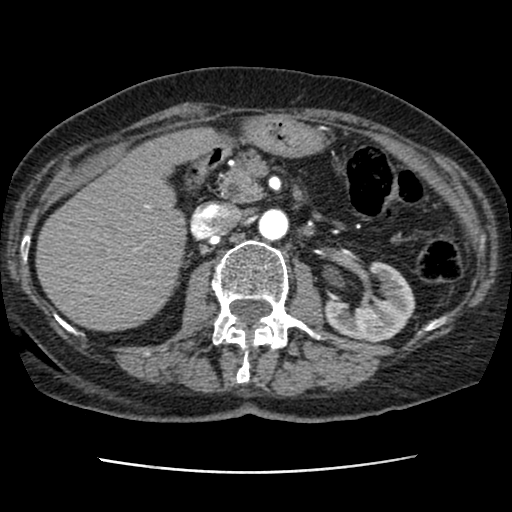
Contrast-enhanced abdominal CT, axial slice 49 of 76 (counted from the lowest slice); tube voltage 120 kVp, convolution kernel STANDARD; slices 2.50 mm thick, 0.586 mm per pixel.
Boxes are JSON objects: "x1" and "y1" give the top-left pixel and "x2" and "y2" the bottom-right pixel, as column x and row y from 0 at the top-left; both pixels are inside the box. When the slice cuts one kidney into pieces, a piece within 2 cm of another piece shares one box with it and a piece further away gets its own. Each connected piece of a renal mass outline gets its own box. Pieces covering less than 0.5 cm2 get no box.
Left kidney at {"x1": 324, "y1": 260, "x2": 415, "y2": 341} (outlined area 4,530 px, about 15.6 cm2). This slice carries no renal mass outline.